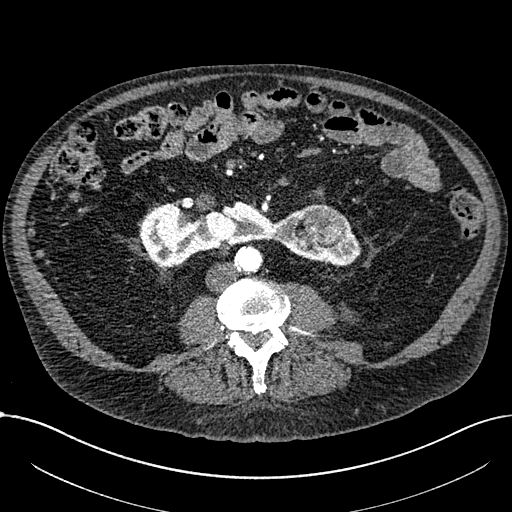
One axial slice (296 of 1059, counting up from the lowest) of an arterial-phase abdominal CT acquired with 100 kVp, kernel I30f; each pixel is 0.811 mm and the slice is 1.00 mm thick.
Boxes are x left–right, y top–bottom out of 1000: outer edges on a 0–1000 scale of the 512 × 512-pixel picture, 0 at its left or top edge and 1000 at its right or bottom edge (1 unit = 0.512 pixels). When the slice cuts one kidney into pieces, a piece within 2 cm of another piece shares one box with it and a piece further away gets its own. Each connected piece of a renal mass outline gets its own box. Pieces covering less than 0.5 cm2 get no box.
One kidney box and one renal mass box on this slice; by box centre, from the image's left to its right: (1) Kidney crossing the body midline, box x 271–705, y 393–523 out of 1000 (outlined area 8,173 px, about 53.7 cm2). (2) Renal mass at x 578–678, y 396–486 out of 1000 (outlined area 1,753 px, about 11.5 cm2).